Abdominal CT with intravenous contrast, arterial phase, axial plane, 120 kVp, kernel I30f. Slice 353/735 from the bottom of the scan; thickness 1.00 mm; pixel size 0.789 mm.
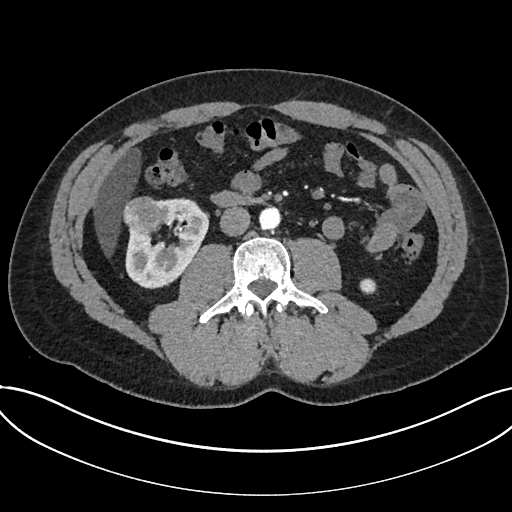
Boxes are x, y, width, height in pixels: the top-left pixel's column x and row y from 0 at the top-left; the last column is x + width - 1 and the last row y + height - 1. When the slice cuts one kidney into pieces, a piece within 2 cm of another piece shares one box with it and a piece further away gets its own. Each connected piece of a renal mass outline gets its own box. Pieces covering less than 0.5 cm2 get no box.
Boxed on this slice (two kidney boxes and one renal mass box), listed by box centre from the image's left to its right: (1) Renal mass, box x 122, y 196, width 43, height 39 (outlined area 1,307 px, about 8.1 cm2). (2) Kidney at x 125, y 197, width 85, height 92 (outlined area 4,551 px, about 28.3 cm2). (3) Kidney, box x 359, y 278, width 18, height 17 (outlined area 229 px, about 1.4 cm2).